One axial slice (48 of 90, counting up from the lowest) of an arterial-phase abdominal CT acquired with 100 kVp, kernel I40f; each pixel is 0.703 mm and the slice is 5.00 mm thick.
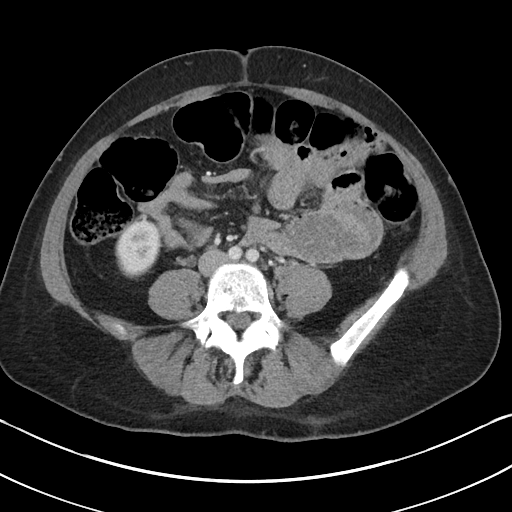
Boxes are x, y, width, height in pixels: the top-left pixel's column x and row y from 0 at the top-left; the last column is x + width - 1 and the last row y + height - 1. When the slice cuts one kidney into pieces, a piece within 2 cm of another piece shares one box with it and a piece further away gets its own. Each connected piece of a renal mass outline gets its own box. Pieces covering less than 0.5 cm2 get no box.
Right kidney, box x 115, y 220, width 46, height 58 (outlined area 2,056 px, about 10.2 cm2). No renal mass is outlined on this slice.